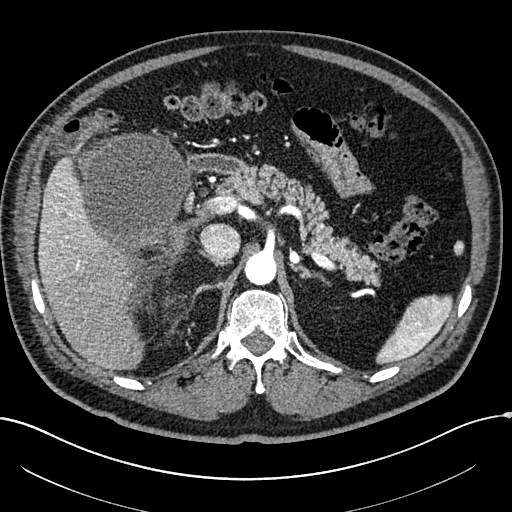
One axial slice (170 of 304, counting up from the lowest) of an arterial-phase abdominal CT acquired with 100 kVp, kernel I30f; each pixel is 0.809 mm and the slice is 2.00 mm thick.
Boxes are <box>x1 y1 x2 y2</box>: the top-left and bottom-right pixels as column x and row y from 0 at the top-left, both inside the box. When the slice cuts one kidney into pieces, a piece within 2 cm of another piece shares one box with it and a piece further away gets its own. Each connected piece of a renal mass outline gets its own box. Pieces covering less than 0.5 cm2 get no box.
Right renal mass at <box>78 132 192 255</box> (outlined area 10,627 px, about 69.5 cm2); this slice has no kidney outline, though on another slice the same outlined renal mass lies within 1 cm of the kidney.